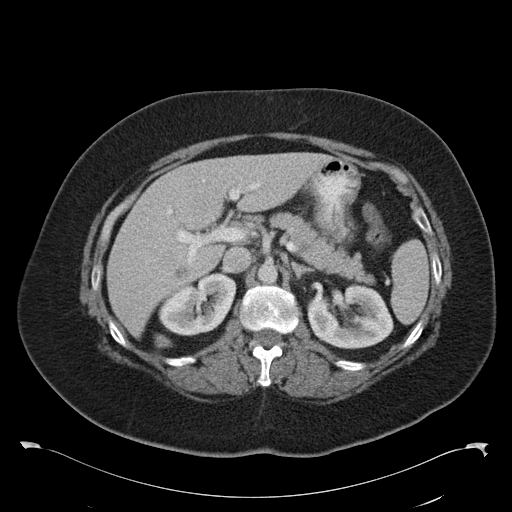
Arterial-phase contrast-enhanced abdominal CT, axial slice 69 of 97 (counted from the lowest slice); tube voltage 120 kVp, convolution kernel B30f; slices 5.00 mm thick, 0.824 mm per pixel.
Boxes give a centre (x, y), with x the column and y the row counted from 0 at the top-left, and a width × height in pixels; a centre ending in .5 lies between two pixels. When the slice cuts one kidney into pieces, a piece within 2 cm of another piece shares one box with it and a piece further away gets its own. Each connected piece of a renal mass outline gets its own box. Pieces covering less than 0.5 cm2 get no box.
Two kidney boxes on this slice; by box centre, from the image's left to its right: (1) Right kidney, box centre (197, 304), 77 × 63 pixels (outlined area 3,359 px, about 22.8 cm2). (2) Box centre (350, 317), 87 × 65 pixels: left kidney (outlined area 4,211 px, about 28.6 cm2). No renal mass outline on this slice.